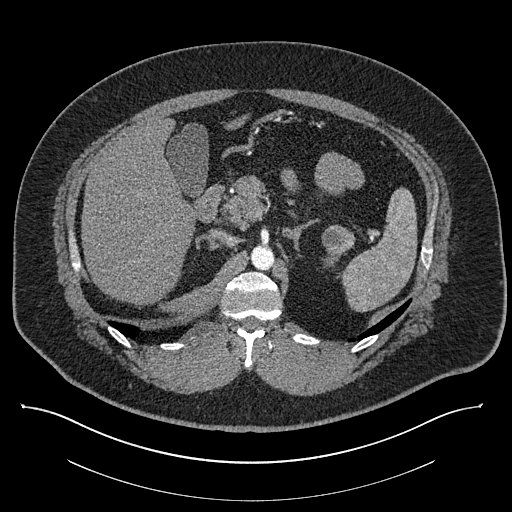
Axial slice 568 of 787 of a contrast-enhanced abdominal CT (slice 1 is the lowest), 140 kVp, kernel I30f; 1.00 mm slice thickness and 0.910 mm pixels.
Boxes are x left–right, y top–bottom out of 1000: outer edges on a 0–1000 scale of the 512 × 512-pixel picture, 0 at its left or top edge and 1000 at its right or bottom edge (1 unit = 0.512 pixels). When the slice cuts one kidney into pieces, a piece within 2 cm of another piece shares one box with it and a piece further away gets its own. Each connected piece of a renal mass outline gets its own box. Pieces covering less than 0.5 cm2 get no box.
Boxed on this slice (one kidney box and one renal mass box), listed by box centre from the image's left to its right: (1) Left kidney, box x 631–672, y 490–523 out of 1000 (outlined area 189 px, about 1.6 cm2). (2) Left renal mass, box x 627–695, y 438–496 out of 1000 (outlined area 755 px, about 6.3 cm2).